One axial slice (451 of 719, counting up from the lowest) of an arterial-phase abdominal CT acquired with 120 kVp, kernel B20f; each pixel is 0.766 mm and the slice is 1.00 mm thick.
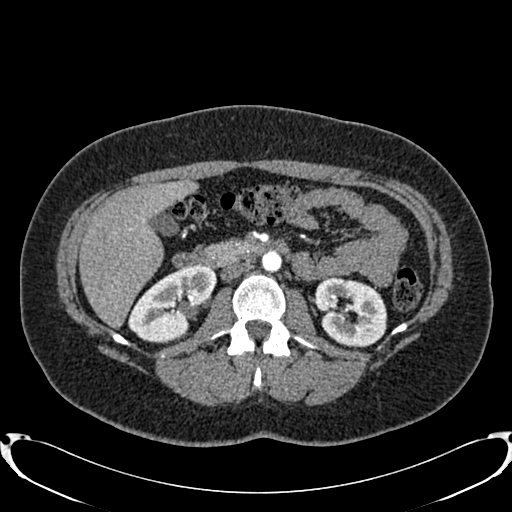
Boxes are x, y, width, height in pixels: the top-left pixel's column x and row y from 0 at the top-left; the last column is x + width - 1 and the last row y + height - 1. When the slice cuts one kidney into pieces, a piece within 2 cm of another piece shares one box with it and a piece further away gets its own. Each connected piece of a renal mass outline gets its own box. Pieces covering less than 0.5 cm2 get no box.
Two boxes on this slice (two kidney boxes), listed by box centre from the image's left to its right. (1) Right kidney at x 128, y 265, width 89, height 79 (outlined area 4,487 px, about 26.3 cm2). (2) Left kidney at x 313, y 276, width 74, height 72 (outlined area 3,890 px, about 22.8 cm2). No renal mass outline on this slice.